One axial slice (692 of 987, counting up from the lowest) of an arterial-phase abdominal CT acquired with 120 kVp, kernel I26f; each pixel is 0.977 mm and the slice is 1.00 mm thick.
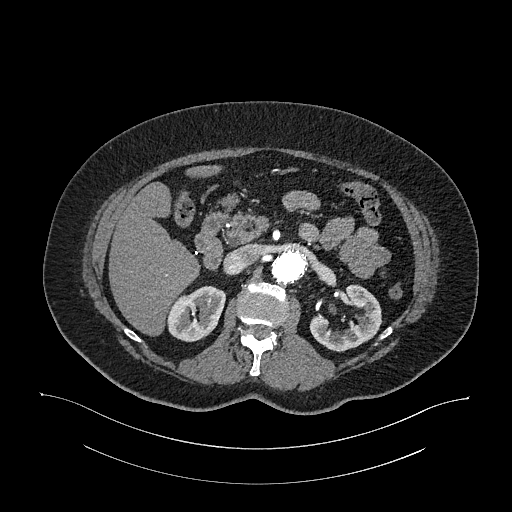
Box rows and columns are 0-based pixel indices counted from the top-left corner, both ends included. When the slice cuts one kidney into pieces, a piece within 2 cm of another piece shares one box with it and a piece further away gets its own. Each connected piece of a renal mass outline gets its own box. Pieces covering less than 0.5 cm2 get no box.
Two boxes on this slice (two kidney boxes), listed by box centre from the image's left to its right. (1) Box rows 286–341, columns 166–225: right kidney (outlined area 2,432 px, about 23.2 cm2). (2) Left kidney, box rows 284–351, columns 309–381 (outlined area 2,737 px, about 26.1 cm2). No renal mass is outlined on this slice.